Contrast-enhanced abdominal CT, axial slice 171 of 274 (counted from the lowest slice); tube voltage 120 kVp, convolution kernel B31f; slices 2.00 mm thick, 0.977 mm per pixel.
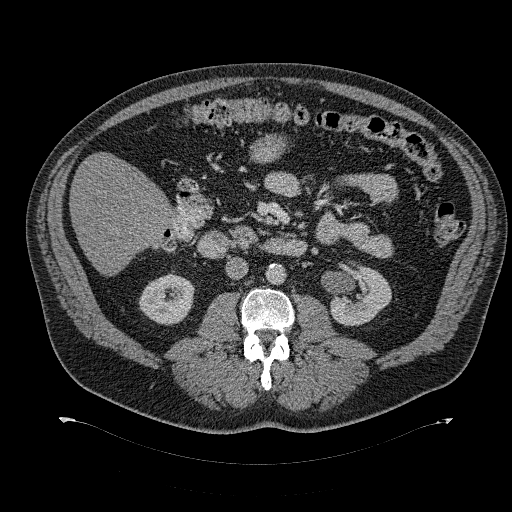
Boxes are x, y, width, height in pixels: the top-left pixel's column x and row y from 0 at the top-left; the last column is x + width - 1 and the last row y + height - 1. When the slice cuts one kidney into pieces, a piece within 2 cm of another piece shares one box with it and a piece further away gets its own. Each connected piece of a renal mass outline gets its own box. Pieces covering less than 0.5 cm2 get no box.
Two kidney boxes on this slice; by box centre, from the image's left to its right: (1) Box x 138, y 271, width 57, height 55: right kidney (outlined area 2,208 px, about 21.1 cm2). (2) Left kidney, box x 329, y 262, width 63, height 65 (outlined area 2,686 px, about 25.6 cm2). No renal mass is outlined on this slice.